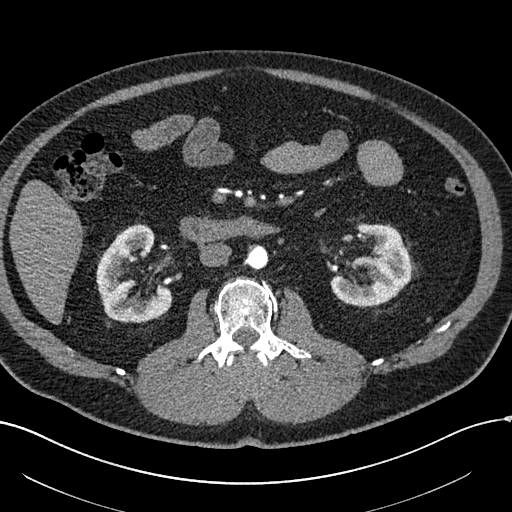
Arterial-phase contrast-enhanced abdominal CT, axial slice 308 of 602 (counted from the lowest slice); tube voltage 120 kVp, convolution kernel I30f; slices 1.00 mm thick, 0.799 mm per pixel.
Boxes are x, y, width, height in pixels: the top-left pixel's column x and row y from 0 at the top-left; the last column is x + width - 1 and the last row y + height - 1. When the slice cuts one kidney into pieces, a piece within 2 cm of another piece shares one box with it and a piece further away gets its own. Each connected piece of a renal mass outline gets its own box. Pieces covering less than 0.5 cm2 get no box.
Two boxes on this slice (two kidney boxes), listed by box centre from the image's left to its right. (1) Right kidney, box x 96, y 224, width 76, height 99 (outlined area 4,727 px, about 30.2 cm2). (2) Box x 329, y 222, width 83, height 85: left kidney (outlined area 4,330 px, about 27.6 cm2). No renal mass is outlined on this slice.